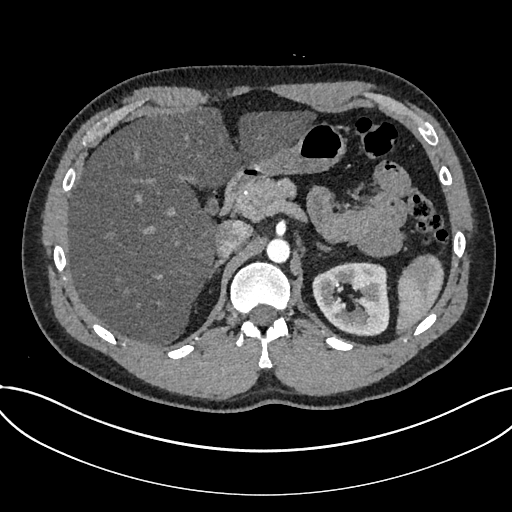
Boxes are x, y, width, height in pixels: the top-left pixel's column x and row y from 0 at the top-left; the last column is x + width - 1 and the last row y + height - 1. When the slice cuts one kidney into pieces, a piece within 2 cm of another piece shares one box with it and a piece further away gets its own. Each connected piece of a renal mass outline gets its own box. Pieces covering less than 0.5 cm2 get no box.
This is axial slice 512 of 735 (slice 1 is the lowest) of an arterial-phase abdominal CT with contrast; each pixel is 0.789 mm and the slice is 1.00 mm thick. Box x 312, y 262, width 78, height 75: kidney (outlined area 4,442 px, about 27.7 cm2). This slice carries no renal mass outline.
Acquired at 120 kVp and reconstructed with the I30f kernel.